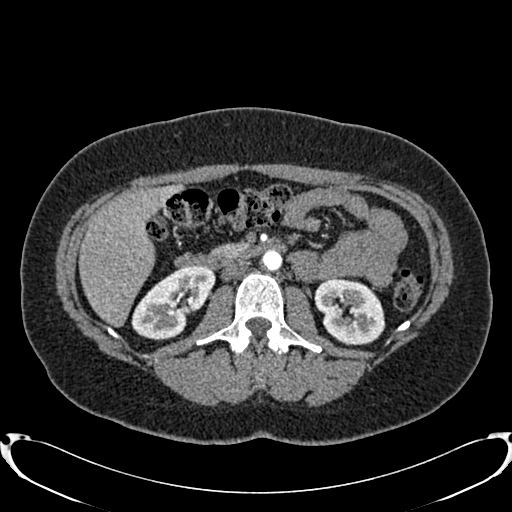
Abdominal CT with intravenous contrast, arterial phase, axial plane, 120 kVp, kernel B20f. Slice 439/719 from the bottom of the scan; thickness 1.00 mm; pixel size 0.766 mm.
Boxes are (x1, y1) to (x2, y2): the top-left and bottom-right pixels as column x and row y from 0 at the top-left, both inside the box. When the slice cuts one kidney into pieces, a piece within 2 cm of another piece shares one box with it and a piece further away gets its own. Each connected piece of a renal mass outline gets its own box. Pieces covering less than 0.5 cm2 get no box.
Boxed on this slice (two kidney boxes), listed by box centre from the image's left to its right: (1) Right kidney from (131, 265) to (214, 340) (outlined area 3,959 px, about 23.2 cm2). (2) Box (314, 277) to (385, 345): left kidney (outlined area 3,605 px, about 21.1 cm2). This slice carries no renal mass outline.